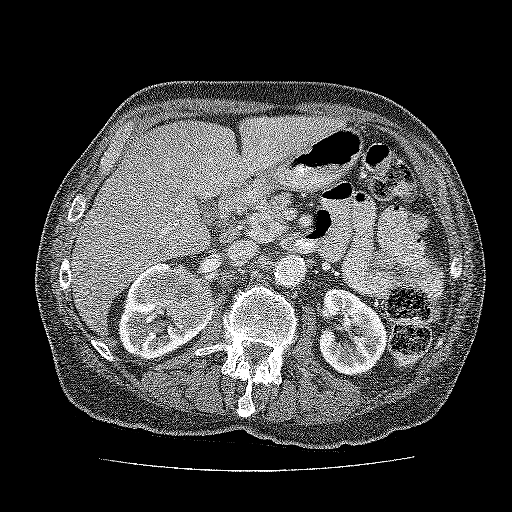
One axial slice (100 of 137, counting up from the lowest) of a contrast-enhanced abdominal CT acquired with 120 kVp, kernel FC52; each pixel is 0.741 mm and the slice is 3.00 mm thick.
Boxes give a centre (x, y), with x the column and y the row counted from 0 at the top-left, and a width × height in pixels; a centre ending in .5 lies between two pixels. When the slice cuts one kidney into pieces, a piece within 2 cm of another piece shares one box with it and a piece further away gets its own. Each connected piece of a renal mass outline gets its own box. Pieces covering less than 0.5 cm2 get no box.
Boxed on this slice (two kidney boxes and one renal mass box), listed by box centre from the image's left to its right: (1) Kidney, box centre (164.5, 311.5), 94 × 98 pixels (outlined area 3,988 px, about 21.9 cm2). (2) Renal mass in a box with centre (180.5, 291.5), 66 × 56 pixels (outlined area 2,782 px, about 15.3 cm2). (3) Kidney in a box with centre (352, 331), 71 × 89 pixels (outlined area 4,390 px, about 24.1 cm2).